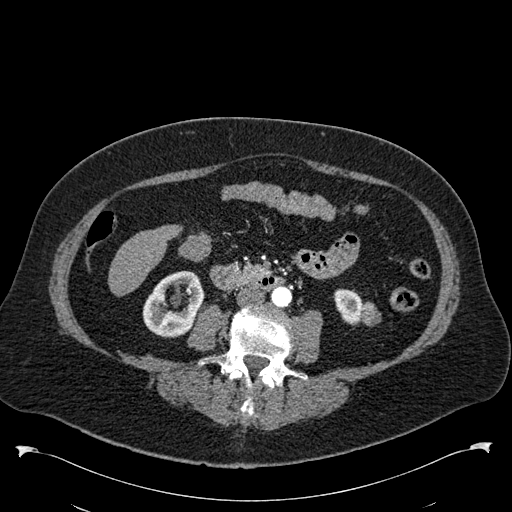
Axial slice 240 of 538 of a contrast-enhanced abdominal CT in the arterial phase (slice 1 is the lowest), 120 kVp, kernel B30f; 1.00 mm slice thickness and 0.811 mm pixels.
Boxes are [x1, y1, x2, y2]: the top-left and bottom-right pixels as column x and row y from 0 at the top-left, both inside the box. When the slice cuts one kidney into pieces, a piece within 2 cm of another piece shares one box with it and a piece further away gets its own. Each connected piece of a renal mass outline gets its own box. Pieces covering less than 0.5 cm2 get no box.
Boxed on this slice (two kidney boxes and one renal mass box), listed by box centre from the image's left to its right: (1) Right kidney, box [142, 271, 204, 337] (outlined area 2,798 px, about 18.4 cm2). (2) Box [333, 288, 361, 325]: left kidney (outlined area 793 px, about 5.2 cm2). (3) Left renal mass, box [360, 300, 380, 326] (outlined area 402 px, about 2.6 cm2).